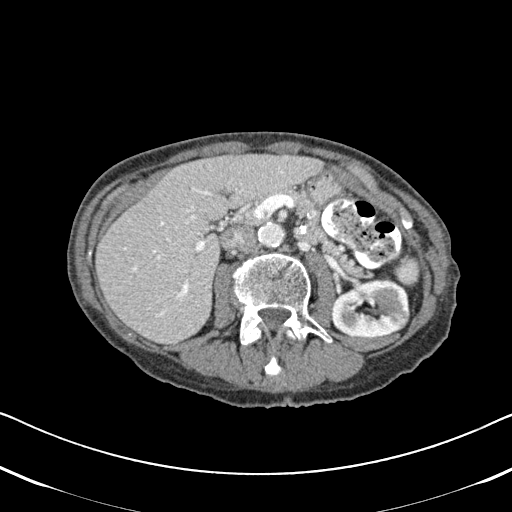
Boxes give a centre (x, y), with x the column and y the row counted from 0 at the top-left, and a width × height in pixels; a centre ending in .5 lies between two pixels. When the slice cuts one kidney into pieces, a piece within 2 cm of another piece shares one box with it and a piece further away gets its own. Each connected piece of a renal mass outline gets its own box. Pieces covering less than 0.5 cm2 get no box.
This is axial slice 296 of 620 (slice 1 is the lowest) of an arterial-phase abdominal CT with contrast; each pixel is 0.637 mm and the slice is 2.00 mm thick. Left kidney, box centre (370.5, 307.5), 80 × 60 pixels (outlined area 3,748 px, about 15.2 cm2). This slice carries no renal mass outline.
Tube voltage 120 kVp; convolution kernel B31f.